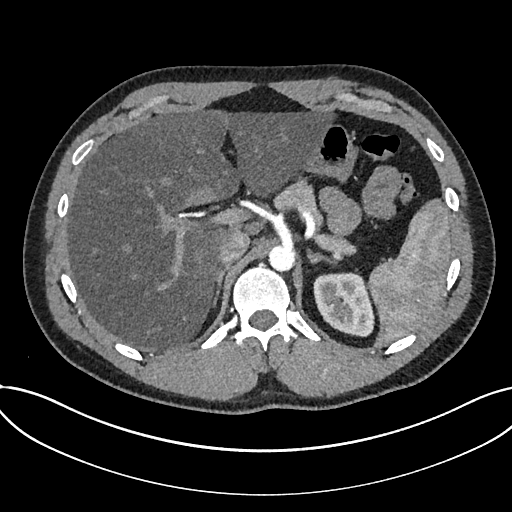
Abdominal CT with intravenous contrast, arterial phase, axial plane, 120 kVp, kernel I30f. Slice 549/735 from the bottom of the scan; thickness 1.00 mm; pixel size 0.789 mm.
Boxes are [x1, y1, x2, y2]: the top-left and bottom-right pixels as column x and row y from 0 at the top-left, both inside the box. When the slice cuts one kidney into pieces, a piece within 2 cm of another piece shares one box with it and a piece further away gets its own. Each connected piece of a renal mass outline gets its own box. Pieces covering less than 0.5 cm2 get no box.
Box [313, 272, 374, 336]: kidney (outlined area 3,092 px, about 19.3 cm2). No renal mass is outlined on this slice.